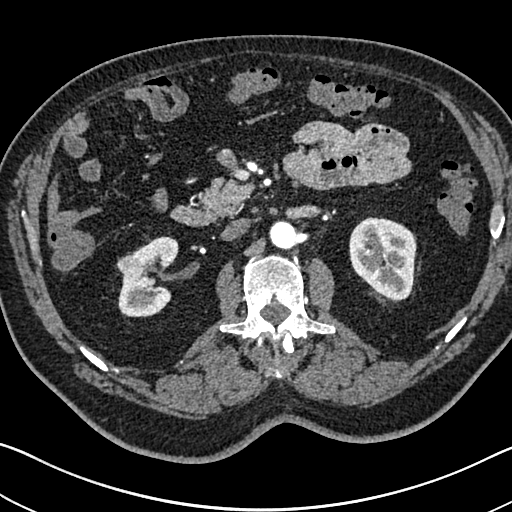
Axial slice 426 of 705 of a contrast-enhanced abdominal CT in the arterial phase (slice 1 is the lowest), 120 kVp, kernel I30f; 1.00 mm slice thickness and 0.703 mm pixels.
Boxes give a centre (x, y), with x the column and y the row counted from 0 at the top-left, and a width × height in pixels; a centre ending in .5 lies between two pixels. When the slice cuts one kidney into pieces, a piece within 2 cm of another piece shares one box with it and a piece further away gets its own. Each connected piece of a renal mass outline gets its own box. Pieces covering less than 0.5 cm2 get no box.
Boxed on this slice (two kidney boxes and one renal mass box), listed by box centre from the image's left to its right: (1) Box centre (127, 262.5), 23 × 22 pixels: right renal mass (outlined area 332 px, about 1.6 cm2). (2) Box centre (148, 276.5), 61 × 82 pixels: right kidney (outlined area 3,289 px, about 16.3 cm2). (3) Box centre (382.5, 259), 68 × 85 pixels: left kidney (outlined area 4,435 px, about 21.9 cm2).